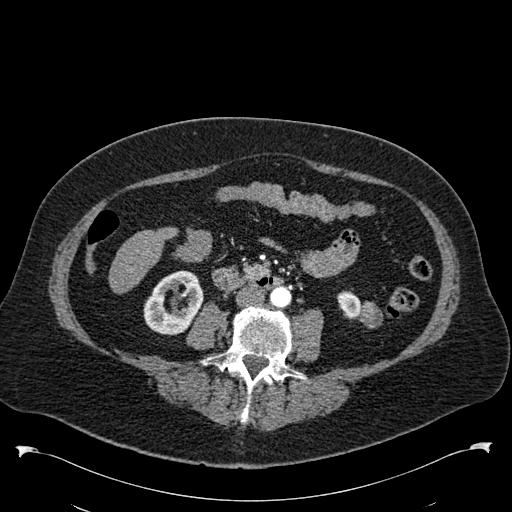
Axial slice 235 of 538 of a contrast-enhanced abdominal CT in the arterial phase (slice 1 is the lowest), 120 kVp, kernel B30f; 1.00 mm slice thickness and 0.811 mm pixels.
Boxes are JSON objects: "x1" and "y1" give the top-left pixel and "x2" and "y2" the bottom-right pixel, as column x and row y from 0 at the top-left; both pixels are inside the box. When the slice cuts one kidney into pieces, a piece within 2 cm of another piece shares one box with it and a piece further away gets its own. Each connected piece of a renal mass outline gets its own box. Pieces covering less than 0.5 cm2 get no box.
Two kidney boxes and one renal mass box on this slice; by box centre, from the image's left to its right: (1) Right kidney at {"x1": 143, "y1": 270, "x2": 203, "y2": 335} (outlined area 2,685 px, about 17.6 cm2). (2) Left kidney, box {"x1": 337, "y1": 291, "x2": 361, "y2": 319} (outlined area 538 px, about 3.5 cm2). (3) Left renal mass, box {"x1": 358, "y1": 301, "x2": 382, "y2": 328} (outlined area 490 px, about 3.2 cm2).